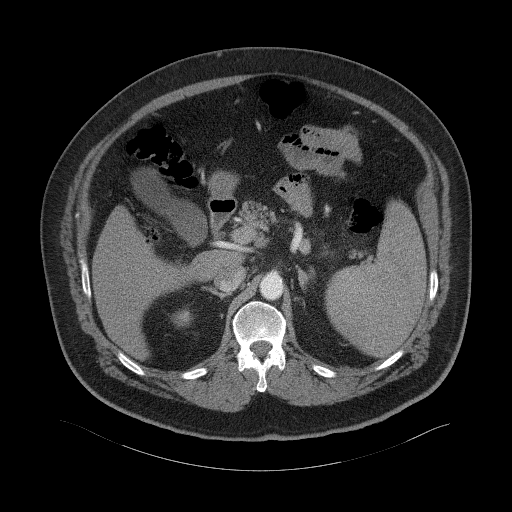
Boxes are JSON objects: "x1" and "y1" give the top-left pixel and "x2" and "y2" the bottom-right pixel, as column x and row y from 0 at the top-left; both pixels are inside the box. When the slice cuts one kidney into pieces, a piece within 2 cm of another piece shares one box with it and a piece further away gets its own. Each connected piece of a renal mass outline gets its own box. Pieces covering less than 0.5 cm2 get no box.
Contrast-enhanced abdominal CT, axial slice 45 of 94 (counted from the lowest slice); 3.00 mm thick, 0.977 mm per pixel. Right kidney at {"x1": 171, "y1": 308, "x2": 192, "y2": 326} (outlined area 276 px, about 2.6 cm2). No renal mass outline on this slice.
Tube voltage 120 kVp; convolution kernel B41f.